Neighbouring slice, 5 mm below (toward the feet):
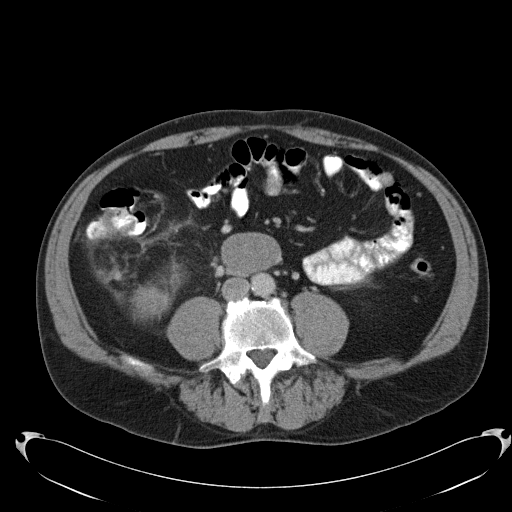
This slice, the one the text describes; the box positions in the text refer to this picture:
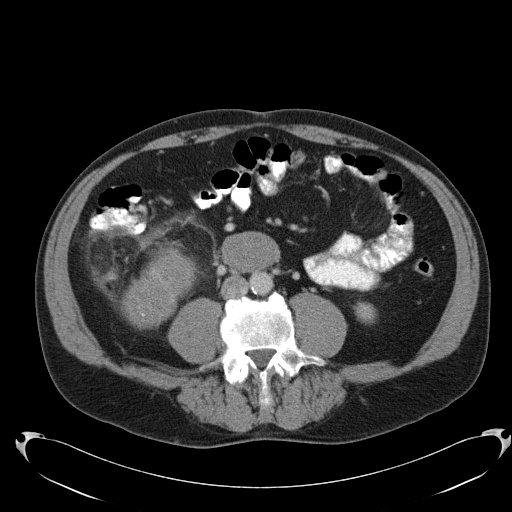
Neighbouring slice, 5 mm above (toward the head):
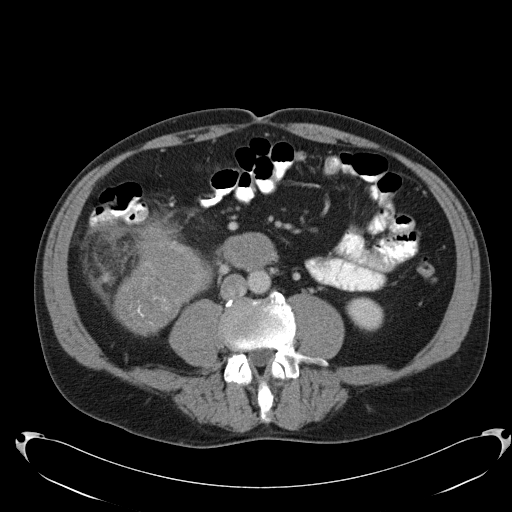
One axial slice (51 of 103, counting up from the lowest) of a contrast-enhanced abdominal CT acquired with 120 kVp, kernel B31f; each pixel is 0.801 mm and the slice is 5.00 mm thick.
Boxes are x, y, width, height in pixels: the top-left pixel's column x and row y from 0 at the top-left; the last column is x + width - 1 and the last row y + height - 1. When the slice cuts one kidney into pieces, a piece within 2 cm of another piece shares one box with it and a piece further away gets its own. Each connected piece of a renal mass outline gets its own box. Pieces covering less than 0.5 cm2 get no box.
Two boxes on this slice (one kidney box and one renal mass box), listed by box centre from the image's left to its right. (1) Right renal mass at x 119, y 245, width 82, height 86 (outlined area 4,236 px, about 27.2 cm2); it sits over 1 cm from every kidney outline on this slice, but the same outlined renal mass comes within 1 cm of the kidney on another slice. (2) Left kidney at x 353, y 301, width 24, height 23 (outlined area 400 px, about 2.6 cm2). This slice lies near the end of the right renal mass toward the feet; the slices 5 mm below and 5 mm above it are shown too, and the boxes mark positions on this slice only.